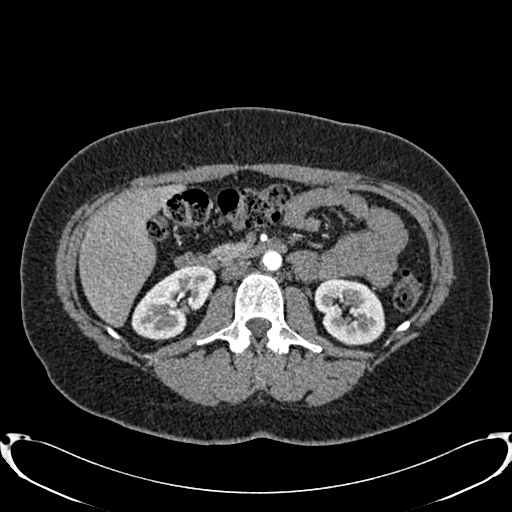
Abdominal CT with intravenous contrast, arterial phase, axial plane, 120 kVp, kernel B20f. Slice 440/719 from the bottom of the scan; thickness 1.00 mm; pixel size 0.766 mm.
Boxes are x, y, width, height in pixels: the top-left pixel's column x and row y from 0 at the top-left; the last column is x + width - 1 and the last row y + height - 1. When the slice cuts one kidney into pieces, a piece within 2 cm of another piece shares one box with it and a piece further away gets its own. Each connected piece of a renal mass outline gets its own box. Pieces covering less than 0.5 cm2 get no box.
Two kidney boxes on this slice; by box centre, from the image's left to its right: (1) Right kidney, box x 131, y 265, width 84, height 76 (outlined area 3,964 px, about 23.2 cm2). (2) Left kidney at x 314, y 276, width 72, height 70 (outlined area 3,660 px, about 21.5 cm2). No renal mass is outlined on this slice.